Axial slice 165 of 304 of a contrast-enhanced abdominal CT in the arterial phase (slice 1 is the lowest), 100 kVp, kernel I30f; 2.00 mm slice thickness and 0.809 mm pixels.
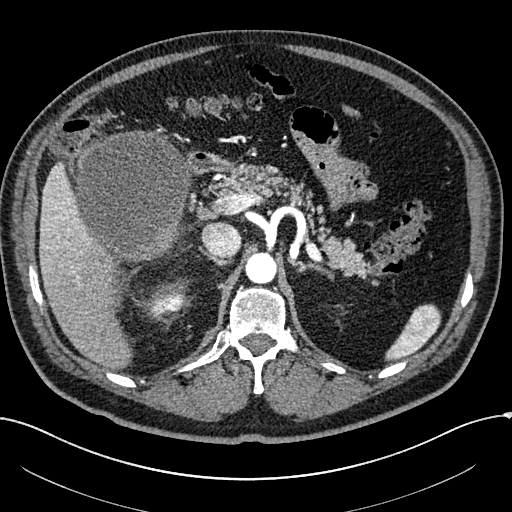
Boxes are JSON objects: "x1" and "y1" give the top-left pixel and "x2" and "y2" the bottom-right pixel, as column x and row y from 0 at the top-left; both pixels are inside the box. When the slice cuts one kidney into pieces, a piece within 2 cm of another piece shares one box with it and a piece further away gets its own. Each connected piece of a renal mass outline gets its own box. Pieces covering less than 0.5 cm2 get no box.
Two boxes on this slice (one kidney box and one renal mass box), listed by box centre from the image's left to its right. (1) Box {"x1": 76, "y1": 130, "x2": 193, "y2": 264}: right renal mass (outlined area 12,112 px, about 79.2 cm2); it sits over 1 cm from every kidney outline on this slice, but the same outlined renal mass comes within 1 cm of the kidney on another slice. (2) Right kidney at {"x1": 151, "y1": 285, "x2": 186, "y2": 316} (outlined area 851 px, about 5.6 cm2).